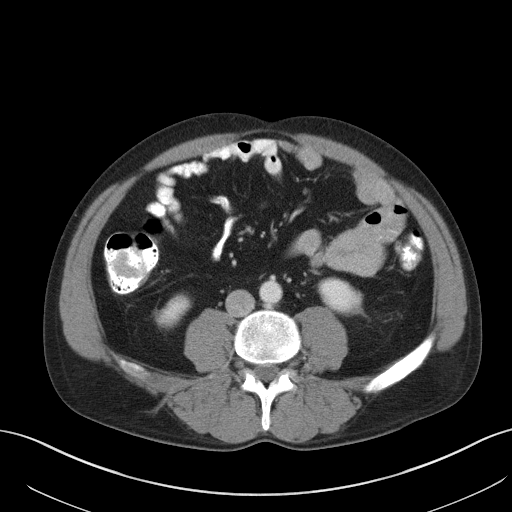
Axial slice 47 of 131 of a contrast-enhanced abdominal CT in the arterial phase (slice 1 is the lowest), 120 kVp, kernel B41f; 5.00 mm slice thickness and 0.760 mm pixels.
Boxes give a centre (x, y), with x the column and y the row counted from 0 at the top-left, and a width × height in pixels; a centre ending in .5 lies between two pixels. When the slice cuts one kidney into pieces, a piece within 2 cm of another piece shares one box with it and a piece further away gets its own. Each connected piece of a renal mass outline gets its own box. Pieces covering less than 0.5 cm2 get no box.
Two kidney boxes on this slice; by box centre, from the image's left to its right: (1) Right kidney in a box with centre (172.5, 310.5), 34 × 32 pixels (outlined area 677 px, about 3.9 cm2). (2) Left kidney in a box with centre (339.5, 295.5), 44 × 36 pixels (outlined area 1,206 px, about 7.0 cm2). No renal mass is outlined on this slice.